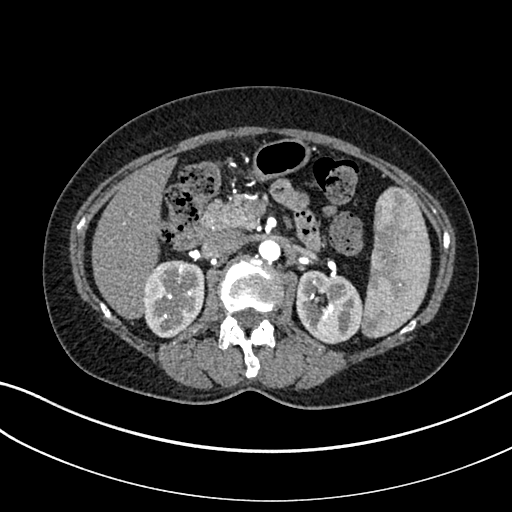
Abdominal CT with intravenous contrast, arterial phase, axial plane, 100 kVp, kernel I30f. Slice 185/325 from the bottom of the scan; thickness 1.00 mm; pixel size 0.703 mm.
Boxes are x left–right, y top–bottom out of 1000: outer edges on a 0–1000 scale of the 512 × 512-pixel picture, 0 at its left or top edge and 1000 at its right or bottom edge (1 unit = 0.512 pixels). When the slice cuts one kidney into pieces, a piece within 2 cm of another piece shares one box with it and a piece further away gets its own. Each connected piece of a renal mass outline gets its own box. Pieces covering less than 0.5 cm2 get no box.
Two kidney boxes on this slice; by box centre, from the image's left to its right: (1) Box x 277–400, y 508–660 out of 1000: right kidney (outlined area 3,911 px, about 19.3 cm2). (2) Box x 576–709, y 527–674 out of 1000: left kidney (outlined area 3,876 px, about 19.2 cm2).